Axial slice 107 of 137 of a contrast-enhanced abdominal CT (slice 1 is the lowest), 120 kVp, kernel FC52; 3.00 mm slice thickness and 0.741 mm pixels.
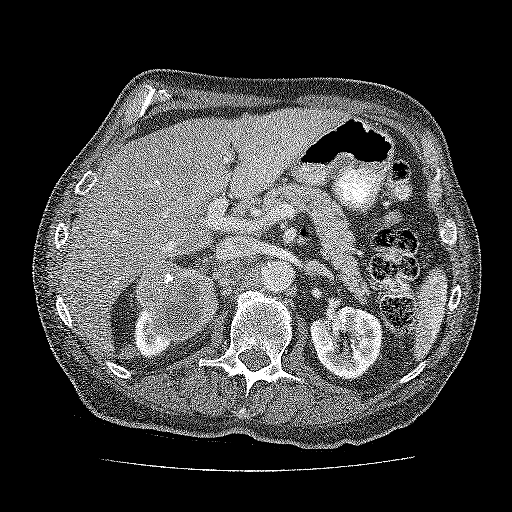
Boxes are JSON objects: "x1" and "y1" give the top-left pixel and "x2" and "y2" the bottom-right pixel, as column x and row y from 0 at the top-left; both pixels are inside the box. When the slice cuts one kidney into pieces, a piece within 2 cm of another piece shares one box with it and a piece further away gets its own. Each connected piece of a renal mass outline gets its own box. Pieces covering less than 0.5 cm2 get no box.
Boxed on this slice (two kidney boxes and one renal mass box), listed by box centre from the image's left to its right: (1) Kidney, box {"x1": 133, "y1": 306, "x2": 184, "y2": 358} (outlined area 1,116 px, about 6.1 cm2). (2) Box {"x1": 134, "y1": 261, "x2": 218, "y2": 340}: renal mass (outlined area 5,020 px, about 27.6 cm2). (3) Kidney at {"x1": 309, "y1": 305, "x2": 382, "y2": 380} (outlined area 4,061 px, about 22.3 cm2).